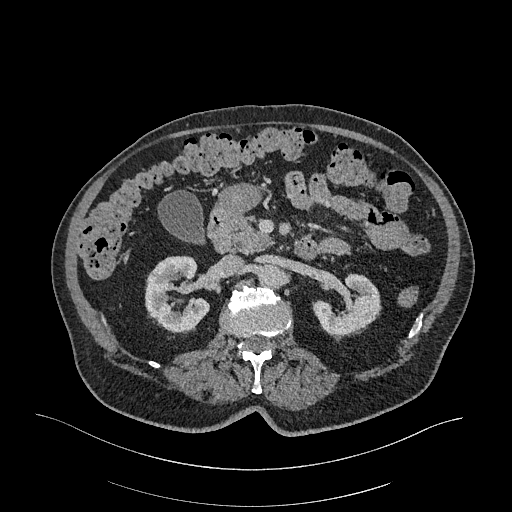
Arterial-phase contrast-enhanced abdominal CT, axial slice 180 of 470 (counted from the lowest slice); tube voltage 120 kVp, convolution kernel I26f; slices 1.00 mm thick, 0.938 mm per pixel.
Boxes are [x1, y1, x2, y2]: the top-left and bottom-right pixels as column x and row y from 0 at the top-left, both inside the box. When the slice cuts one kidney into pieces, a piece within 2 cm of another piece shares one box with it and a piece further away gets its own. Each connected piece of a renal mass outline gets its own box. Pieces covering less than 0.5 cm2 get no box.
Boxed on this slice (two kidney boxes), listed by box centre from the image's left to its right: (1) Right kidney at [145, 255, 210, 333] (outlined area 3,604 px, about 31.7 cm2). (2) Left kidney at [312, 272, 381, 334] (outlined area 2,764 px, about 24.3 cm2). No renal mass outline on this slice.